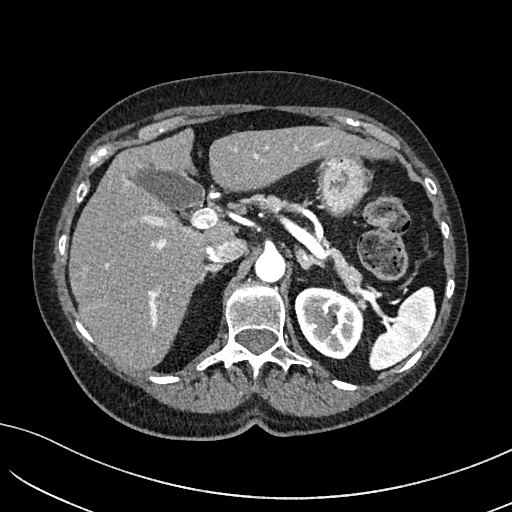
Arterial-phase contrast-enhanced abdominal CT, axial slice 111 of 234 (counted from the lowest slice); tube voltage 100 kVp, convolution kernel I40f; slices 2.00 mm thick, 0.699 mm per pixel.
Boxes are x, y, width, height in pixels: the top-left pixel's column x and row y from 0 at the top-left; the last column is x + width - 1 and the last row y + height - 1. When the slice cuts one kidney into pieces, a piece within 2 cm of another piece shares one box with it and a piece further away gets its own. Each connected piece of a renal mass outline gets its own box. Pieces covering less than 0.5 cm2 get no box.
Left kidney, box x 294, y 287, width 70, height 73 (outlined area 3,786 px, about 18.5 cm2). This slice carries no renal mass outline.